Abdominal CT with intravenous contrast, arterial phase, axial plane, 140 kVp, kernel I30f. Slice 314/591 from the bottom of the scan; thickness 1.00 mm; pixel size 0.703 mm.
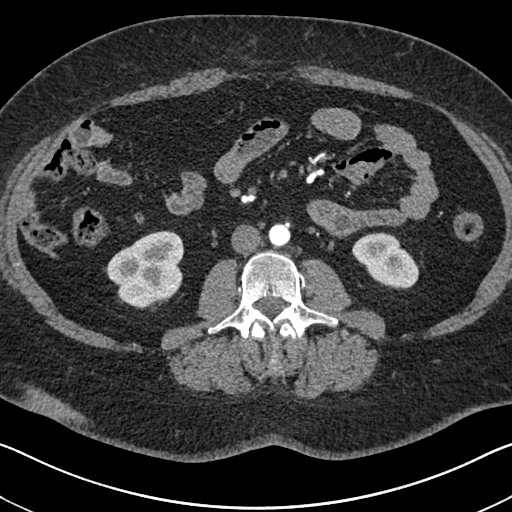
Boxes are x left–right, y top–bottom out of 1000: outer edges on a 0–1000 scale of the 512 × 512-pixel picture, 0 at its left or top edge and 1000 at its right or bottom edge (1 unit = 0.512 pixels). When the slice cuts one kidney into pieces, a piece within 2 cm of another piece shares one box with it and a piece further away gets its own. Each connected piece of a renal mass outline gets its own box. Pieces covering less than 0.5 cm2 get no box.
Two kidney boxes on this slice; by box centre, from the image's left to its right: (1) Box x 209–361, y 449–604 out of 1000: right kidney (outlined area 4,390 px, about 21.7 cm2). (2) Left kidney at x 688–820, y 453–566 out of 1000 (outlined area 2,600 px, about 12.9 cm2). No renal mass is outlined on this slice.